One axial slice (451 of 581, counting up from the lowest) of an arterial-phase abdominal CT acquired with 120 kVp, kernel B30f; each pixel is 0.713 mm and the slice is 1.00 mm thick.
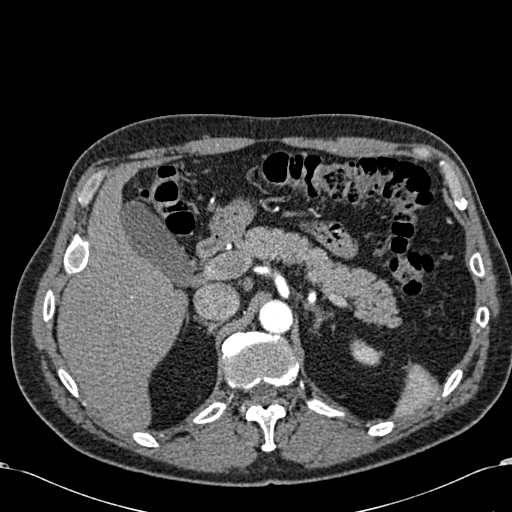
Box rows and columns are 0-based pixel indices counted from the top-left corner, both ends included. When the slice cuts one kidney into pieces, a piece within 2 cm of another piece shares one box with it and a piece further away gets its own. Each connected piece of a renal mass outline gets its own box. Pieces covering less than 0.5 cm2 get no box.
Left kidney at rows 339–365, columns 350–379 (outlined area 563 px, about 2.9 cm2). No renal mass outline on this slice.